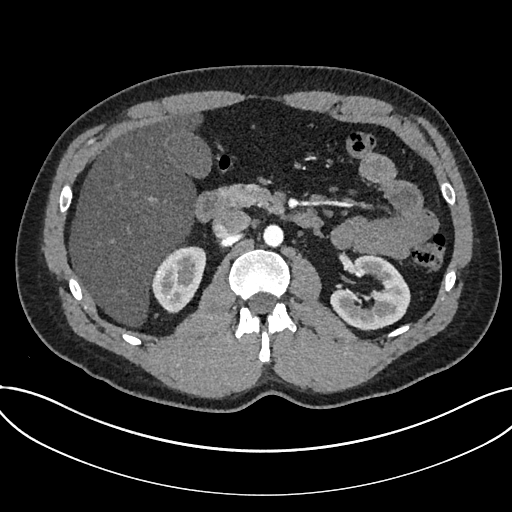
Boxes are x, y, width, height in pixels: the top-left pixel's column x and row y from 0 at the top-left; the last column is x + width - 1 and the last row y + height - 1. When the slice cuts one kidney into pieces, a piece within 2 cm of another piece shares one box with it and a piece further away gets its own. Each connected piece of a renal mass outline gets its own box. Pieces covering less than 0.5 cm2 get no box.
This is axial slice 442 of 735 (slice 1 is the lowest) of an arterial-phase abdominal CT with contrast; each pixel is 0.789 mm and the slice is 1.00 mm thick. Two boxes on this slice (two kidney boxes), listed by box centre from the image's left to its right. (1) Box x 152, y 246, width 55, height 67: kidney (outlined area 2,599 px, about 16.2 cm2). (2) Kidney at x 330, y 255, width 80, height 76 (outlined area 3,823 px, about 23.8 cm2). No renal mass outline on this slice.
Acquired at 120 kVp and reconstructed with the I30f kernel.